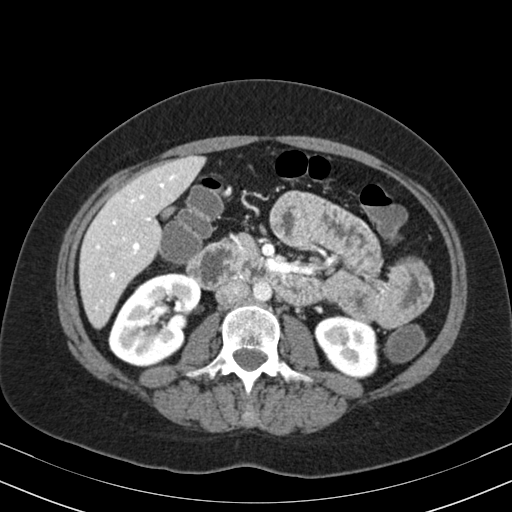
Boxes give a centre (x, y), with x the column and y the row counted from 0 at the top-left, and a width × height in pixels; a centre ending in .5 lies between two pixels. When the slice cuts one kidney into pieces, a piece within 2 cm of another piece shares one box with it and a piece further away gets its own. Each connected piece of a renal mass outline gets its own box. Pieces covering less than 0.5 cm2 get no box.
Arterial-phase contrast-enhanced abdominal CT, axial slice 104 of 164 (counted from the lowest slice); 3.00 mm thick, 0.664 mm per pixel. Two boxes on this slice (two kidney boxes), listed by box centre from the image's left to its right. (1) Box centre (154, 319), 93 × 95 pixels: right kidney (outlined area 6,032 px, about 26.6 cm2). (2) Left kidney, box centre (345, 346.5), 63 × 64 pixels (outlined area 3,021 px, about 13.3 cm2). No renal mass outline on this slice.
Scan settings: 130 kVp, B30s reconstruction kernel.